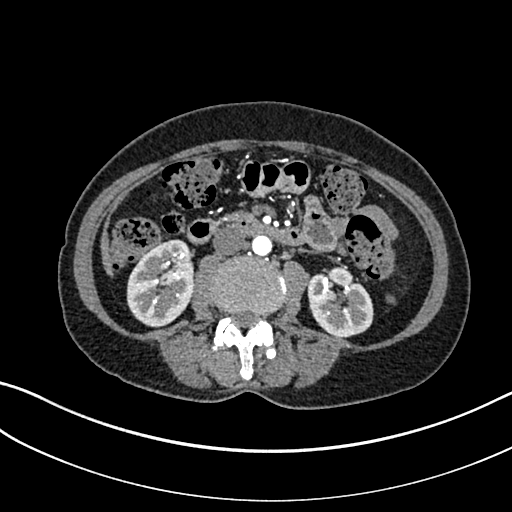
Axial slice 125 of 325 of a contrast-enhanced abdominal CT in the arterial phase (slice 1 is the lowest), 100 kVp, kernel I30f; 1.00 mm slice thickness and 0.703 mm pixels.
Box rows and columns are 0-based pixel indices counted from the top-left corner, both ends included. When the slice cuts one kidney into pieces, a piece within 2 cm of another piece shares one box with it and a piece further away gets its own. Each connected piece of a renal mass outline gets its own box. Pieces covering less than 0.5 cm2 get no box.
Boxed on this slice (two kidney boxes), listed by box centre from the image's left to its right: (1) Right kidney at rows 239–326, columns 126–194 (outlined area 4,581 px, about 22.6 cm2). (2) Left kidney at rows 267–336, columns 307–373 (outlined area 3,490 px, about 17.3 cm2). No renal mass is outlined on this slice.